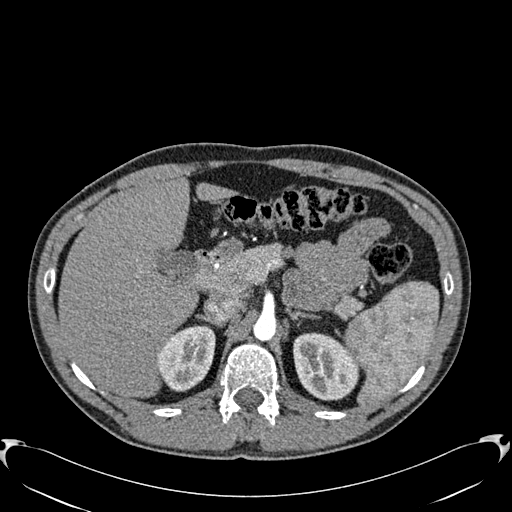
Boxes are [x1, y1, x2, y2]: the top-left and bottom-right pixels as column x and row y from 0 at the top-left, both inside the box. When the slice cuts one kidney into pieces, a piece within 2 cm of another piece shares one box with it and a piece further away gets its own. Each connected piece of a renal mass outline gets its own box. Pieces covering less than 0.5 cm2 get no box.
Arterial-phase contrast-enhanced abdominal CT, axial slice 422 of 512 (counted from the lowest slice); 1.00 mm thick, 0.771 mm per pixel. Two boxes on this slice (two kidney boxes), listed by box centre from the image's left to its right. (1) Right kidney, box [157, 325, 215, 391] (outlined area 2,947 px, about 17.5 cm2). (2) Box [293, 332, 358, 400]: left kidney (outlined area 3,439 px, about 20.5 cm2). This slice carries no renal mass outline.
Tube voltage 120 kVp; convolution kernel B30f.